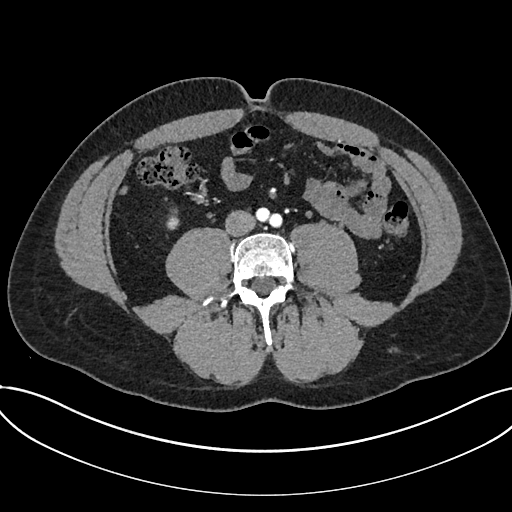
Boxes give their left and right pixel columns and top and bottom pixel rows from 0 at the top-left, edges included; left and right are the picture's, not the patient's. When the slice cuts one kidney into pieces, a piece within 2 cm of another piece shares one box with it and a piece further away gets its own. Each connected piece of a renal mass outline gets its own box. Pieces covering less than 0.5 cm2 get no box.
Slice 266/735 of a contrast-enhanced abdominal CT in the arterial phase, counting up from the lowest; pixel size 0.789 mm, slice thickness 1.00 mm. Box with left 166, top 208, right 179, bottom 229: kidney (outlined area 215 px, about 1.3 cm2). No renal mass outline on this slice.
Scan settings: 120 kVp, I30f reconstruction kernel.